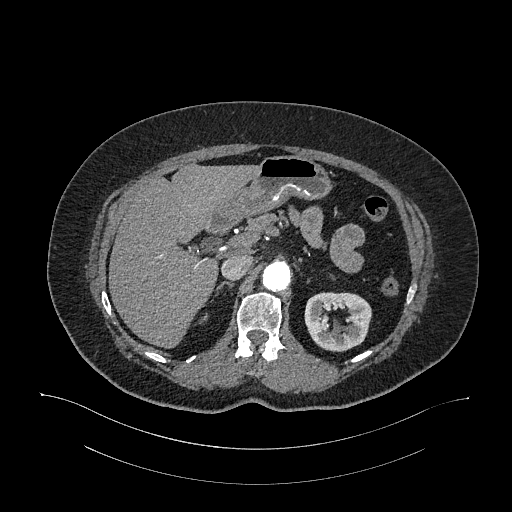
One axial slice (737 of 987, counting up from the lowest) of an arterial-phase abdominal CT acquired with 120 kVp, kernel I26f; each pixel is 0.977 mm and the slice is 1.00 mm thick.
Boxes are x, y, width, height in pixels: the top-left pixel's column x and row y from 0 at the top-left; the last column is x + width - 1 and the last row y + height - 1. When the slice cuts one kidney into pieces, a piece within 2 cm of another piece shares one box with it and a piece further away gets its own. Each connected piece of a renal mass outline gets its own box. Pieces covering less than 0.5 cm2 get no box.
Left kidney, box x 304, y 292, width 68, height 60 (outlined area 3,090 px, about 29.5 cm2). No renal mass is outlined on this slice.